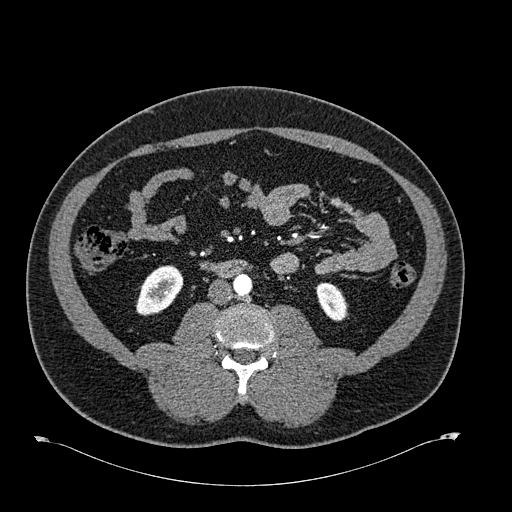
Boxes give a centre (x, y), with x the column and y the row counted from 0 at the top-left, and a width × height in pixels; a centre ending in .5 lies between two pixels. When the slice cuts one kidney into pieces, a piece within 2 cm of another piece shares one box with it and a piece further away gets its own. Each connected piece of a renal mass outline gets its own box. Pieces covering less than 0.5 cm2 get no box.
This is axial slice 278 of 723 (slice 1 is the lowest) of an arterial-phase abdominal CT with contrast; each pixel is 0.895 mm and the slice is 1.00 mm thick. Boxed on this slice (two kidney boxes), listed by box centre from the image's left to its right: (1) Right kidney, box centre (159, 290), 49 × 51 pixels (outlined area 1,688 px, about 13.5 cm2). (2) Left kidney, box centre (331, 301.5), 33 × 40 pixels (outlined area 914 px, about 7.3 cm2). No renal mass outline on this slice.
Scan settings: 120 kVp, B30f reconstruction kernel.